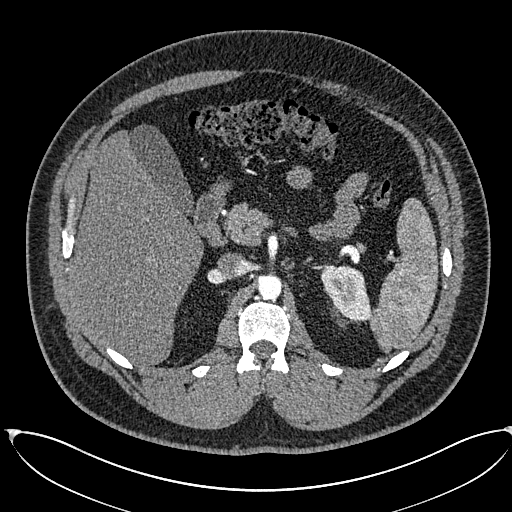
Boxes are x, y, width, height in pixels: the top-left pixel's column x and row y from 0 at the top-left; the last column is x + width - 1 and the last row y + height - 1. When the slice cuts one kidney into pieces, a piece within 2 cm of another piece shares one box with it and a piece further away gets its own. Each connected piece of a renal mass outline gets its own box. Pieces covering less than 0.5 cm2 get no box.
Arterial-phase contrast-enhanced abdominal CT, axial slice 412 of 673 (counted from the lowest slice); 1.00 mm thick, 0.855 mm per pixel. Left kidney, box x 321, y 265, width 51, height 56 (outlined area 2,027 px, about 14.8 cm2). This slice carries no renal mass outline.
Acquired at 120 kVp and reconstructed with the I30f kernel.